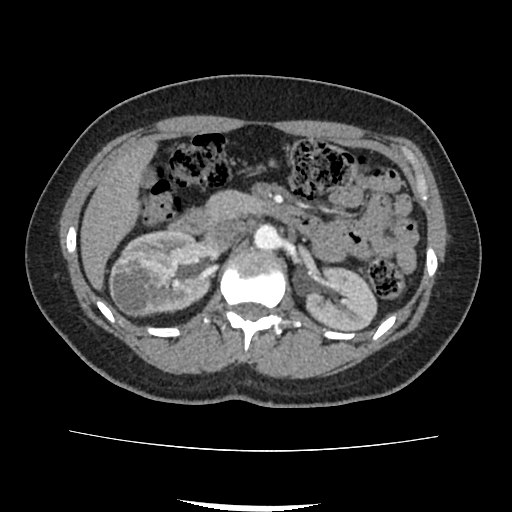
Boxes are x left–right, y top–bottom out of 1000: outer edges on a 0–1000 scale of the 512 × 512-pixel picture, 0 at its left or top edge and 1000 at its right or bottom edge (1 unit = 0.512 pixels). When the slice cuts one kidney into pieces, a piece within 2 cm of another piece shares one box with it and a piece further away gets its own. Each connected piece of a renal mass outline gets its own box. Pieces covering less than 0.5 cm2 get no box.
Contrast-enhanced abdominal CT, axial slice 53 of 103 (counted from the lowest slice); 3.00 mm thick, 0.714 mm per pixel. Boxed on this slice (two kidney boxes and one renal mass box), listed by box centre from the image's left to its right: (1) Box x 213–301, y 523–617 out of 1000: right renal mass (outlined area 1,696 px, about 8.6 cm2). (2) Right kidney, box x 213–414, y 449–617 out of 1000 (outlined area 5,170 px, about 26.4 cm2). (3) Box x 590–738, y 520–650 out of 1000: left kidney (outlined area 3,720 px, about 19.0 cm2).
Acquired at 120 kVp and reconstructed with the FC18 kernel.